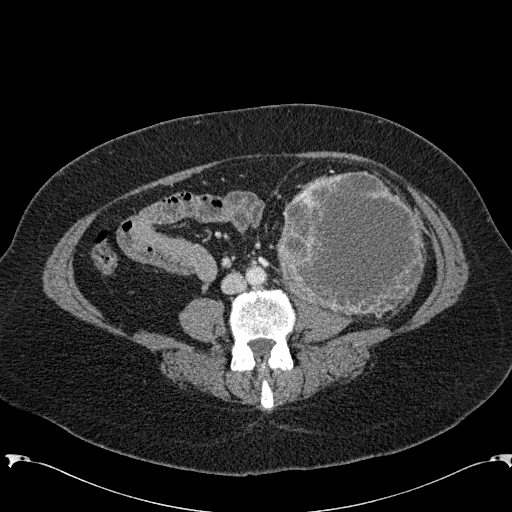
One axial slice (58 of 285, counting up from the lowest) of an arterial-phase abdominal CT acquired with 120 kVp, kernel B31f; each pixel is 0.762 mm and the slice is 2.00 mm thick.
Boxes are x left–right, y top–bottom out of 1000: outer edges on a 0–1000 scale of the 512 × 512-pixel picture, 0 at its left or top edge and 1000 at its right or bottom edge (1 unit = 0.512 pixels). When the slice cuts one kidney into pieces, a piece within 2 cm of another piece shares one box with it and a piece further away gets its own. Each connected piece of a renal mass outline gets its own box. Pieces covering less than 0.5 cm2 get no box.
Left renal mass at x 539–832, y 334–621 out of 1000 (outlined area 16,994 px, about 98.6 cm2); no kidney is outlined on this slice, but the same outlined renal mass comes within 1 cm of the kidney on another slice.